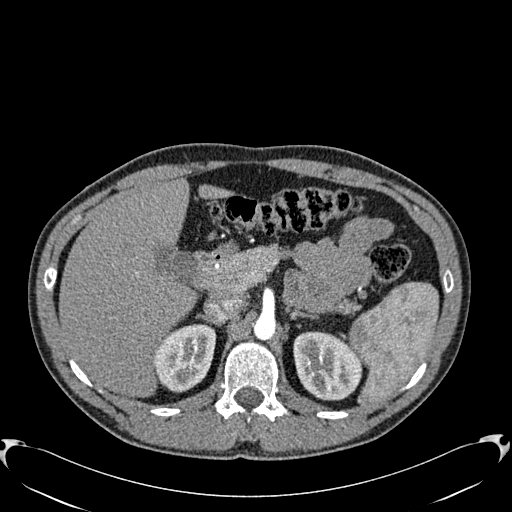
Arterial-phase contrast-enhanced abdominal CT, axial slice 418 of 512 (counted from the lowest slice); tube voltage 120 kVp, convolution kernel B30f; slices 1.00 mm thick, 0.771 mm per pixel.
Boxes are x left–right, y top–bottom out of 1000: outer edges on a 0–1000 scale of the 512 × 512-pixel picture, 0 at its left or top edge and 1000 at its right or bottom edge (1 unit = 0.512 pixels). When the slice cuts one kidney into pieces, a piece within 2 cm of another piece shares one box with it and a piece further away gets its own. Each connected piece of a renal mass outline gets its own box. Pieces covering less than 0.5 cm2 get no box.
Boxed on this slice (two kidney boxes), listed by box centre from the image's left to its right: (1) Right kidney, box x 301–424, y 633–768 out of 1000 (outlined area 3,185 px, about 19.0 cm2). (2) Box x 572–709, y 646–783 out of 1000: left kidney (outlined area 3,741 px, about 22.3 cm2). No renal mass is outlined on this slice.